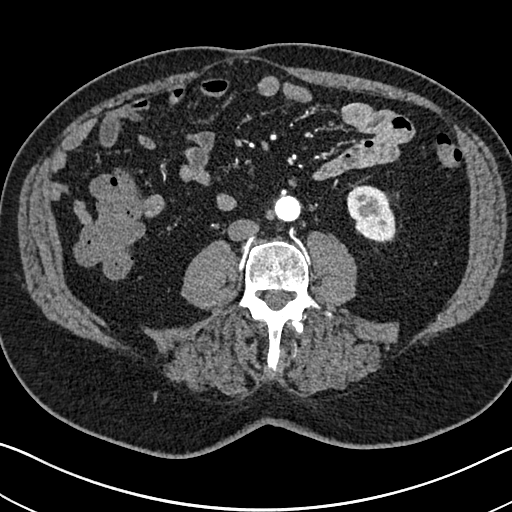
Arterial-phase contrast-enhanced abdominal CT, axial slice 290 of 705 (counted from the lowest slice); tube voltage 120 kVp, convolution kernel I30f; slices 1.00 mm thick, 0.703 mm per pixel.
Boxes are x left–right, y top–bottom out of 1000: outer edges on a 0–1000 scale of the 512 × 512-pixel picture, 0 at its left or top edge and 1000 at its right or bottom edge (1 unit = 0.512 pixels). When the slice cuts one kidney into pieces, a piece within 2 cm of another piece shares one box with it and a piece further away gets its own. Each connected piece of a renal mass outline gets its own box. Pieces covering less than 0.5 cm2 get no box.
Left kidney, box x 676–775, y 361–477 out of 1000 (outlined area 2,168 px, about 10.7 cm2). No renal mass is outlined on this slice.